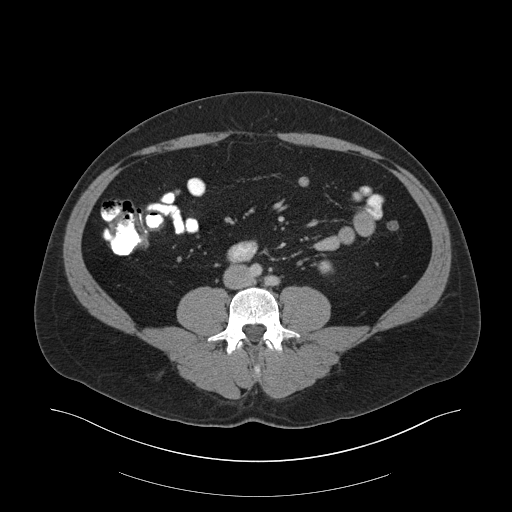
Abdominal CT with intravenous contrast, arterial phase, axial plane, 140 kVp, kernel B30f. Slice 82/159 from the bottom of the scan; thickness 3.00 mm; pixel size 0.977 mm.
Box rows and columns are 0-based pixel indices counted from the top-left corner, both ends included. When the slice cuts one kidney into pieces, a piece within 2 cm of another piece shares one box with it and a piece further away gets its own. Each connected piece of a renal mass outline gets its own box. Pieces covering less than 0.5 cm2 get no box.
Left kidney, box rows 260–273, columns 318–332 (outlined area 158 px, about 1.5 cm2). This slice carries no renal mass outline.